Abdominal CT with intravenous contrast, axial plane, 120 kVp, kernel I40f. Slice 59/102 from the bottom of the scan; thickness 5.00 mm; pixel size 0.977 mm.
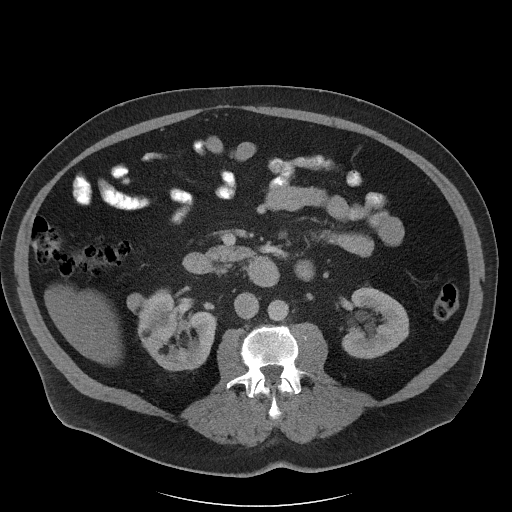
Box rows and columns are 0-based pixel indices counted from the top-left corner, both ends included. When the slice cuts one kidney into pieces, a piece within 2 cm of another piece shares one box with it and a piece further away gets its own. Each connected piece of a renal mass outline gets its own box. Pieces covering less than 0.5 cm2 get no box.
Boxed on this slice (two kidney boxes), listed by box centre from the image's left to its right: (1) Right kidney at rows 289–370, columns 127–215 (outlined area 4,757 px, about 45.4 cm2). (2) Box rows 288–358, columns 342–408: left kidney (outlined area 3,340 px, about 31.9 cm2). This slice carries no renal mass outline.